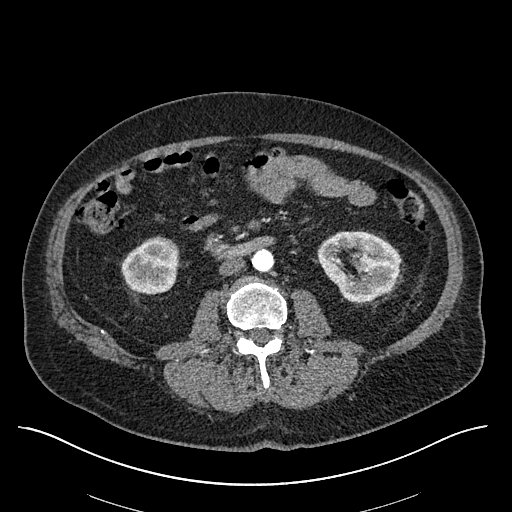
Arterial-phase contrast-enhanced abdominal CT, axial slice 271 of 670 (counted from the lowest slice); tube voltage 120 kVp, convolution kernel I30f; slices 1.00 mm thick, 0.861 mm per pixel.
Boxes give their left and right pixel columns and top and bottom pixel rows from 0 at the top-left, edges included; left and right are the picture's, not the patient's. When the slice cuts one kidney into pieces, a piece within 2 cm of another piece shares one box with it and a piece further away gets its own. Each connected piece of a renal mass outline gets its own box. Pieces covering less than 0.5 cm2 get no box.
Two kidney boxes on this slice; by box centre, from the image's left to its right: (1) Right kidney in the box with left 121, top 236, right 178, bottom 294 (outlined area 2,631 px, about 19.5 cm2). (2) Box with left 317, top 231, right 400, bottom 302: left kidney (outlined area 4,286 px, about 31.8 cm2). This slice carries no renal mass outline.